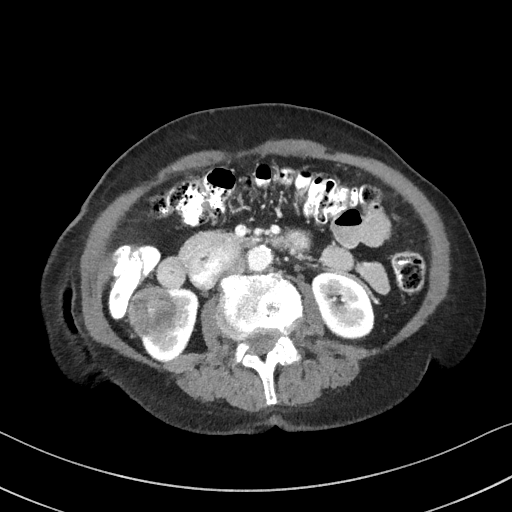
One axial slice (48 of 92, counting up from the lowest) of a contrast-enhanced abdominal CT acquired with 100 kVp, kernel I41f; each pixel is 0.684 mm and the slice is 3.00 mm thick.
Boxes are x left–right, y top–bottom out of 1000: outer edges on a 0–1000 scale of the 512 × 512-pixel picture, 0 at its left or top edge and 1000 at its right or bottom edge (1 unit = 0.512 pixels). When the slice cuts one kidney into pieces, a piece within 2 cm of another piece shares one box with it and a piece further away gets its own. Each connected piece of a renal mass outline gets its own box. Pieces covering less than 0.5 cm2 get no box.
Three boxes on this slice (two kidney boxes and one renal mass box), listed by box centre from the image's left to its right. (1) Right renal mass, box x 248–344, y 559–658 out of 1000 (outlined area 1,949 px, about 9.1 cm2). (2) Right kidney, box x 275–391, y 564–707 out of 1000 (outlined area 2,107 px, about 9.8 cm2). (3) Box x 607–732, y 531–666 out of 1000: left kidney (outlined area 3,099 px, about 14.5 cm2).